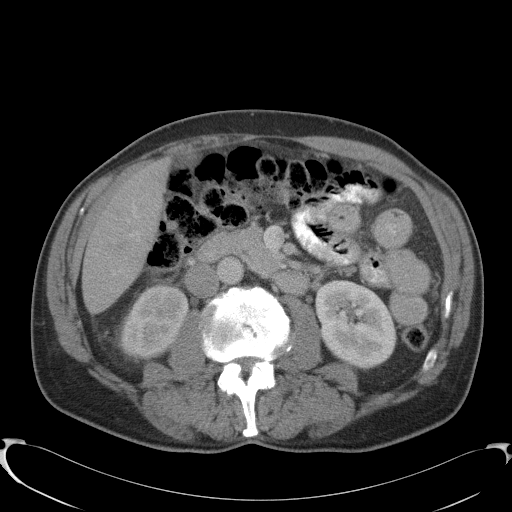
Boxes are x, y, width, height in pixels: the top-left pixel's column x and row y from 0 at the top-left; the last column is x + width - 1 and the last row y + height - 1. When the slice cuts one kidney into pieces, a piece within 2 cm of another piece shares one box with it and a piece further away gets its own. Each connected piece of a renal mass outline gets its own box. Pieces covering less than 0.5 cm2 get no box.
Contrast-enhanced abdominal CT, axial slice 59 of 91 (counted from the lowest slice); 5.00 mm thick, 0.762 mm per pixel. Two boxes on this slice (two kidney boxes), listed by box centre from the image's left to its right. (1) Right kidney at x 120, y 284, width 69, height 77 (outlined area 3,906 px, about 22.7 cm2). (2) Left kidney at x 315, y 280, width 82, height 89 (outlined area 5,521 px, about 32.0 cm2). This slice carries no renal mass outline.
Scan settings: 120 kVp, B41f reconstruction kernel.